Arterial-phase contrast-enhanced abdominal CT, axial slice 530 of 735 (counted from the lowest slice); tube voltage 120 kVp, convolution kernel I30f; slices 1.00 mm thick, 0.789 mm per pixel.
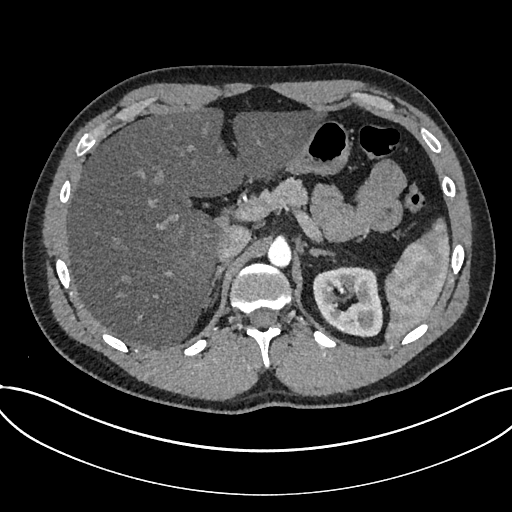
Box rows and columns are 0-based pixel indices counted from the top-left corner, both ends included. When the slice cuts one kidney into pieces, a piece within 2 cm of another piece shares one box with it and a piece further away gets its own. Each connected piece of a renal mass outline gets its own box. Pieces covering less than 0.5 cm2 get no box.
Kidney, box rows 266–337, columns 312–382 (outlined area 3,867 px, about 24.1 cm2). No renal mass is outlined on this slice.